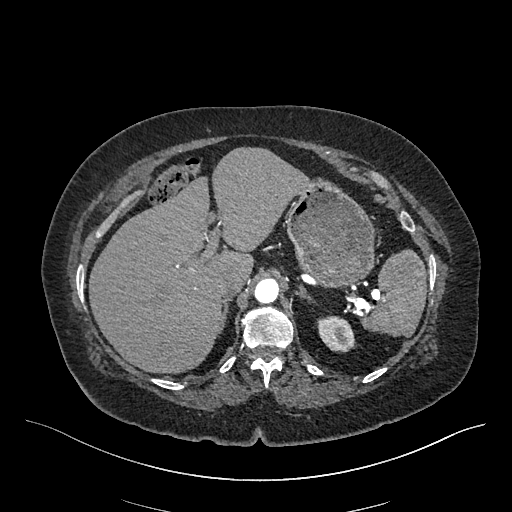
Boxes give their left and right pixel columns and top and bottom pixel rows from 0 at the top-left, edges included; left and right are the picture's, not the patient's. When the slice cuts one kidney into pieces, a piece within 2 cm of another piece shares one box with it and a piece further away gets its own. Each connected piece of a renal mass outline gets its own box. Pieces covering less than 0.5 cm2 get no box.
Arterial-phase contrast-enhanced abdominal CT, axial slice 360 of 548 (counted from the lowest slice); 1.00 mm thick, 0.852 mm per pixel. Box with left 317, top 315, right 355, bottom 352: left kidney (outlined area 1,083 px, about 7.9 cm2). No renal mass is outlined on this slice.
Tube voltage 120 kVp; convolution kernel I26f.